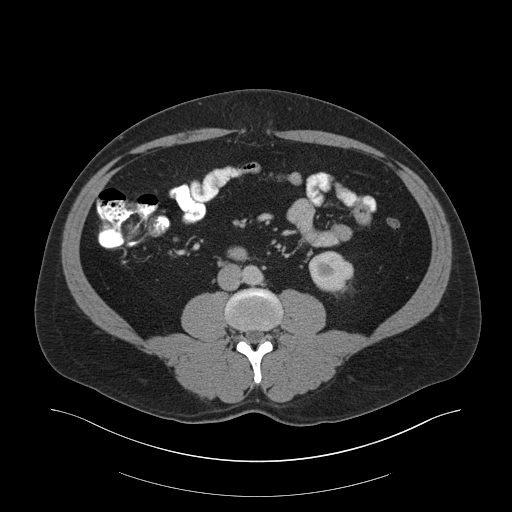
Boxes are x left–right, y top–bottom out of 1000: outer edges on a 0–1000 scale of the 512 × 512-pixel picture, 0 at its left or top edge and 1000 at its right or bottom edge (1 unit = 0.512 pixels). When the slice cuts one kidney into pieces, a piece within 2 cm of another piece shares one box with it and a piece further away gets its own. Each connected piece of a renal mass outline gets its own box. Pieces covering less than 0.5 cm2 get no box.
This is axial slice 87 of 159 (slice 1 is the lowest) of an arterial-phase abdominal CT with contrast; each pixel is 0.977 mm and the slice is 3.00 mm thick. Left kidney, box x 602–691, y 490–572 out of 1000 (outlined area 1,419 px, about 13.5 cm2). No renal mass is outlined on this slice.
Tube voltage 140 kVp; convolution kernel B30f.